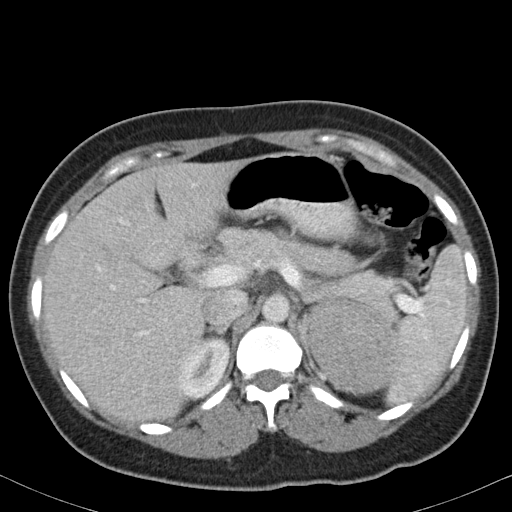
Arterial-phase contrast-enhanced abdominal CT, axial slice 69 of 82 (counted from the lowest slice); tube voltage 120 kVp, convolution kernel B31f; slices 5.00 mm thick, 0.625 mm per pixel.
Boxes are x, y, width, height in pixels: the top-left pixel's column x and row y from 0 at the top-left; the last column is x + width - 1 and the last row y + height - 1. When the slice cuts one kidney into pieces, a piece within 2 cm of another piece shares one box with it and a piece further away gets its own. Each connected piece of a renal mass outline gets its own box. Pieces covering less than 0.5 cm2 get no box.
Two boxes on this slice (one kidney box and one renal mass box), listed by box centre from the image's left to its right. (1) Right kidney at x 176, y 337, width 57, height 64 (outlined area 2,645 px, about 10.3 cm2). (2) Left renal mass at x 307, y 303, width 91, height 92 (outlined area 6,563 px, about 25.6 cm2); it sits over 1 cm from every kidney outline on this slice, but the same outlined renal mass comes within 1 cm of the kidney on another slice.